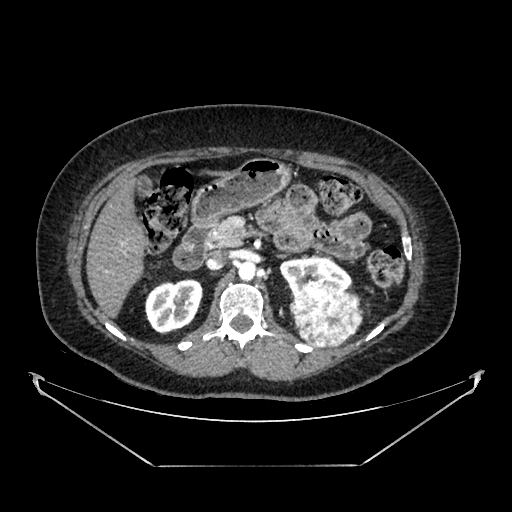
One axial slice (250 of 383, counting up from the lowest) of an arterial-phase abdominal CT acquired with 100 kVp, kernel SOFT; each pixel is 0.898 mm and the slice is 1.25 mm thick.
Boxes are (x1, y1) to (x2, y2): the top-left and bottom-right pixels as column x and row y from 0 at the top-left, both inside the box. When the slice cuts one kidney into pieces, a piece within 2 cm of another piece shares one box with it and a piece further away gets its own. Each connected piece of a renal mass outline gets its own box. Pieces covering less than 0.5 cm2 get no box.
Two kidney boxes and one renal mass box on this slice; by box centre, from the image's left to its right: (1) Box (145, 278) to (202, 334): right kidney (outlined area 2,465 px, about 19.9 cm2). (2) Left kidney from (279, 256) to (351, 297) (outlined area 1,906 px, about 15.4 cm2). (3) Left renal mass from (290, 283) to (362, 347) (outlined area 3,553 px, about 28.7 cm2).